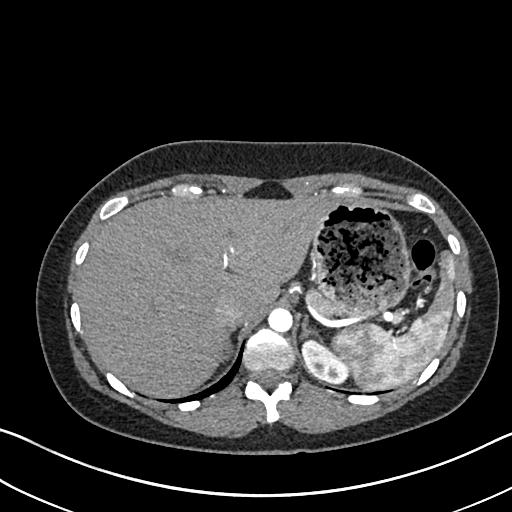
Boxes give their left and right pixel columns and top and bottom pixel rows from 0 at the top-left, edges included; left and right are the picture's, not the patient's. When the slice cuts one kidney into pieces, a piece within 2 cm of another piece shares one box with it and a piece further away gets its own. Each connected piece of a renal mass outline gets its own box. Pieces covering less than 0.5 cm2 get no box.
Arterial-phase contrast-enhanced abdominal CT, axial slice 548 of 612 (counted from the lowest slice); 1.00 mm thick, 0.703 mm per pixel. Left kidney, the box with left 301, top 338, right 348, bottom 382 (outlined area 1,400 px, about 6.9 cm2). This slice carries no renal mass outline.
Acquired at 120 kVp and reconstructed with the I30f kernel.